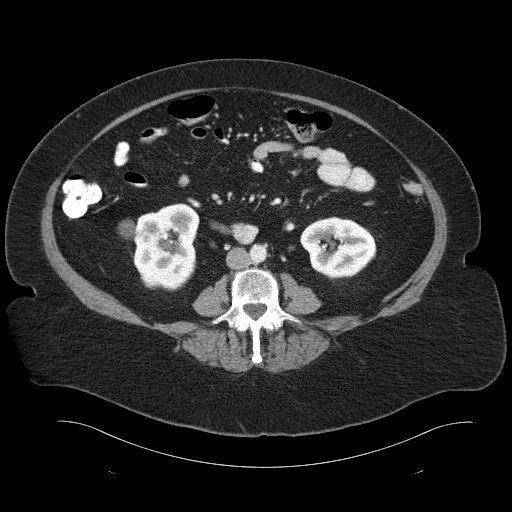
Contrast-enhanced abdominal CT, axial slice 49 of 93 (counted from the lowest slice); tube voltage 120 kVp, convolution kernel B30f; slices 5.00 mm thick, 0.938 mm per pixel.
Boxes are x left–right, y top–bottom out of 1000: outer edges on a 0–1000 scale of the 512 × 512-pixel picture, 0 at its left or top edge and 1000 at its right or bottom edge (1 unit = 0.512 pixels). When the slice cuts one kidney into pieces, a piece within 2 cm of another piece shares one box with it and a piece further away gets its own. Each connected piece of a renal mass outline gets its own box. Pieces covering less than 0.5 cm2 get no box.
Boxed on this slice (two kidney boxes), listed by box centre from the image's left to its right: (1) Box x 230–391, y 396–570 out of 1000: right kidney (outlined area 5,037 px, about 44.3 cm2). (2) Left kidney at x 586–736, y 422–551 out of 1000 (outlined area 3,606 px, about 31.7 cm2). This slice carries no renal mass outline.